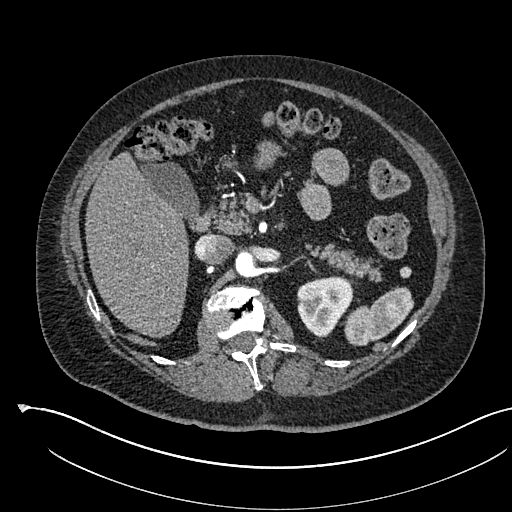
Arterial-phase contrast-enhanced abdominal CT, axial slice 367 of 541 (counted from the lowest slice); tube voltage 120 kVp, convolution kernel I30f; slices 1.00 mm thick, 0.834 mm per pixel.
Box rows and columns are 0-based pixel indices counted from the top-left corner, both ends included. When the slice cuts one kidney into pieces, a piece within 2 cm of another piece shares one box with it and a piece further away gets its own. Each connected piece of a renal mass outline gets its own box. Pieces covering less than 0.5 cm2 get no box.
Left kidney at rows 277–338, columns 297–353 (outlined area 2,533 px, about 17.6 cm2). No renal mass outline on this slice.